Abdominal CT with intravenous contrast, axial plane, 120 kVp, kernel STANDARD. Slice 64/99 from the bottom of the scan; thickness 5.00 mm; pixel size 0.938 mm.
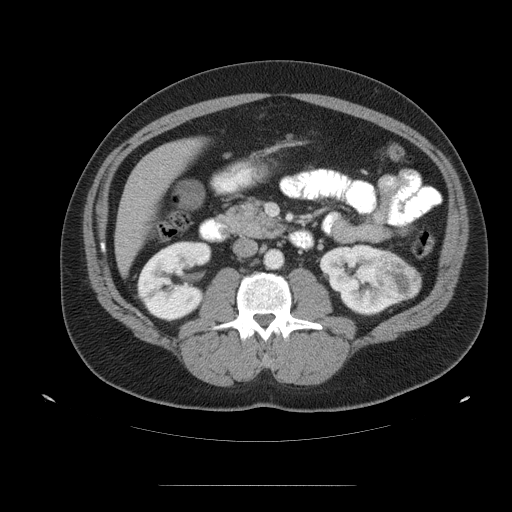
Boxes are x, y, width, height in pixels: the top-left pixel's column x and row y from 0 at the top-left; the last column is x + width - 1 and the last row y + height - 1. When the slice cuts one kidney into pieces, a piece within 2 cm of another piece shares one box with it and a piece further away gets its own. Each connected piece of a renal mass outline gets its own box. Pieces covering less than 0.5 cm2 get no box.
Two kidney boxes and one renal mass box on this slice; by box centre, from the image's left to its right: (1) Right kidney at x 136, y 240, width 77, height 82 (outlined area 4,510 px, about 39.6 cm2). (2) Box x 318, y 243, width 84, height 74: left kidney (outlined area 3,240 px, about 28.5 cm2). (3) Left renal mass, box x 369, y 249, width 53, height 53 (outlined area 2,006 px, about 17.6 cm2).